Abdominal CT with intravenous contrast, axial plane, 140 kVp, kernel B30f. Slice 8/75 from the bottom of the scan; thickness 3.00 mm; pixel size 0.875 mm.
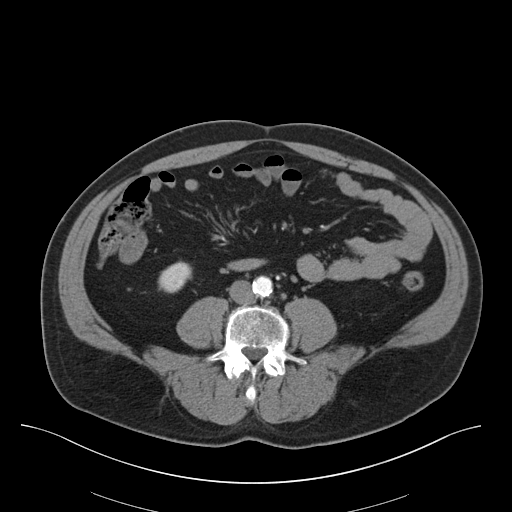
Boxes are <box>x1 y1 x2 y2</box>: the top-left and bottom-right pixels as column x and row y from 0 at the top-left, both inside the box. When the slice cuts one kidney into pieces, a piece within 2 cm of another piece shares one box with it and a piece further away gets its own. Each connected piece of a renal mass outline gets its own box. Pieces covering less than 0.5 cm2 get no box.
At <box>158 261 192 293</box>: right kidney (outlined area 804 px, about 6.2 cm2). This slice carries no renal mass outline.